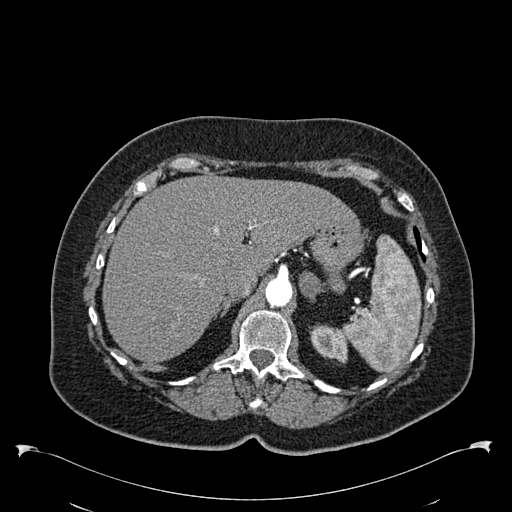
Abdominal CT with intravenous contrast, arterial phase, axial plane, 120 kVp, kernel B30f. Slice 438/538 from the bottom of the scan; thickness 1.00 mm; pixel size 0.811 mm.
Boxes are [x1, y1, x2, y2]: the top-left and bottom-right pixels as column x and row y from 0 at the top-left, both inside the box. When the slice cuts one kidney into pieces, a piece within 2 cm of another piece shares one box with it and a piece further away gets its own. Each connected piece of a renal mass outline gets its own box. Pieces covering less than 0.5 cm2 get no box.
Left kidney at [310, 324, 347, 363] (outlined area 1,091 px, about 7.2 cm2). This slice carries no renal mass outline.